Abdominal CT with intravenous contrast, arterial phase, axial plane, 120 kVp, kernel B41f. Slice 57/131 from the bottom of the scan; thickness 5.00 mm; pixel size 0.760 mm.
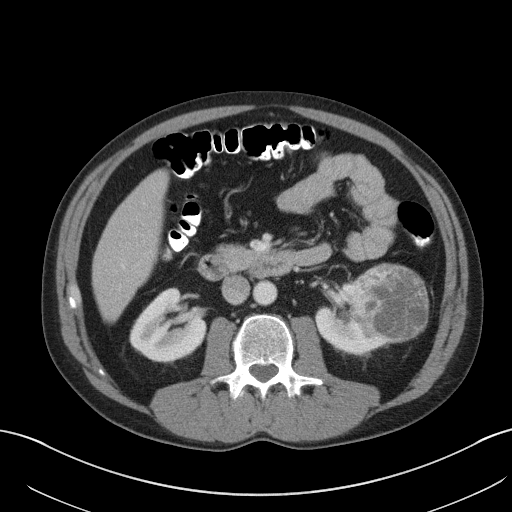
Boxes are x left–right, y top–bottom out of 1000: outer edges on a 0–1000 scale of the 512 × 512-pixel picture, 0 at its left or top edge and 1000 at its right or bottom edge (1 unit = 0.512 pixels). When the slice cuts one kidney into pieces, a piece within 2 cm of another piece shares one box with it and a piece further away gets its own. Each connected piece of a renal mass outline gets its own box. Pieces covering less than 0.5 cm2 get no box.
Three boxes on this slice (two kidney boxes and one renal mass box), listed by box centre from the image's left to its right. (1) Box x 254–406, y 563–709 out of 1000: right kidney (outlined area 3,935 px, about 22.7 cm2). (2) Box x 613–760, y 547–695 out of 1000: left kidney (outlined area 2,641 px, about 15.2 cm2). (3) Left renal mass at x 688–838, y 514–672 out of 1000 (outlined area 4,773 px, about 27.6 cm2).